Axial slice 198 of 326 of a contrast-enhanced abdominal CT in the arterial phase (slice 1 is the lowest), 120 kVp, kernel B31f; 2.00 mm slice thickness and 0.963 mm pixels.
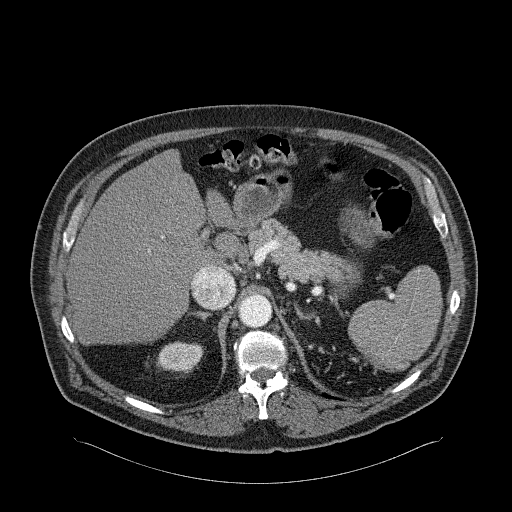
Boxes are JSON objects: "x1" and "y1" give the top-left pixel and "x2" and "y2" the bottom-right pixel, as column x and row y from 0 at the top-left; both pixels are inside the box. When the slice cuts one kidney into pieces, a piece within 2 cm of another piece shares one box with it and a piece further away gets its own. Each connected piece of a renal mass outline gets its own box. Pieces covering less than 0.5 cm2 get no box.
Right kidney, box {"x1": 156, "y1": 341, "x2": 203, "y2": 372} (outlined area 1,165 px, about 10.8 cm2). This slice carries no renal mass outline.